Abdominal CT with intravenous contrast, arterial phase, axial plane, 120 kVp, kernel I31f. Slice 179/345 from the bottom of the scan; thickness 2.00 mm; pixel size 0.977 mm.
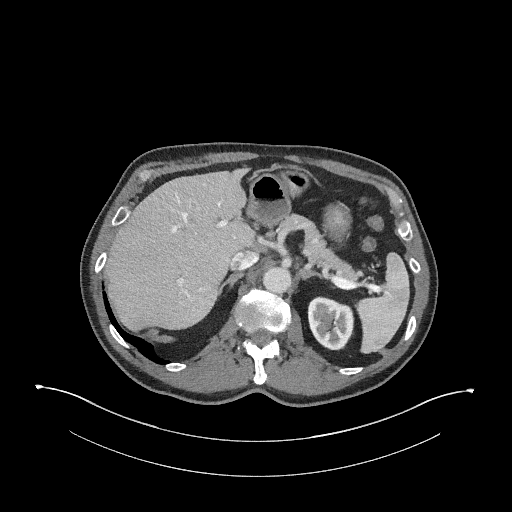
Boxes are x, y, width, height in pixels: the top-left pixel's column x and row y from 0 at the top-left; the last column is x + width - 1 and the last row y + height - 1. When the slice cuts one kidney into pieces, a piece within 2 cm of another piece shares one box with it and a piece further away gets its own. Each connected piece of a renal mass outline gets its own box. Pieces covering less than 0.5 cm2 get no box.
Box x 307, y 296, width 48, height 55: left kidney (outlined area 1,996 px, about 19.0 cm2). No renal mass outline on this slice.